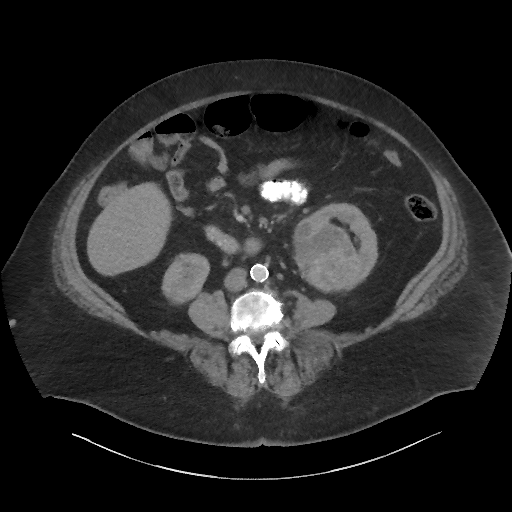
One axial slice (21 of 86, counting up from the lowest) of a contrast-enhanced abdominal CT acquired with 140 kVp, kernel I44f; each pixel is 0.977 mm and the slice is 3.00 mm thick.
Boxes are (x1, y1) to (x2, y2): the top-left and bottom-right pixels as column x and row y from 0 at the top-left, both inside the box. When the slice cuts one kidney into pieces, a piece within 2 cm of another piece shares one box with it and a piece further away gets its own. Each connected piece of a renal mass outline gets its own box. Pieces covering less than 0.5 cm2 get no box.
Three boxes on this slice (two kidney boxes and one renal mass box), listed by box centre from the image's left to its right. (1) Right kidney, box (161, 253) to (209, 304) (outlined area 1,849 px, about 17.6 cm2). (2) Left renal mass from (292, 217) to (361, 292) (outlined area 4,017 px, about 38.3 cm2). (3) Left kidney from (307, 203) to (378, 288) (outlined area 1,967 px, about 18.8 cm2).